Contrast-enhanced abdominal CT, axial slice 45 of 105 (counted from the lowest slice); tube voltage 120 kVp, convolution kernel B; slices 3.00 mm thick, 0.977 mm per pixel.
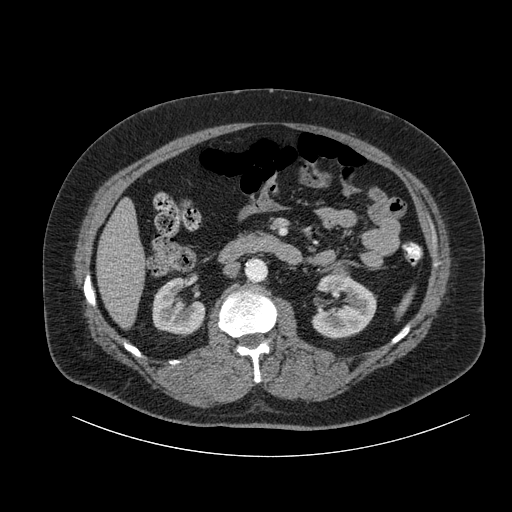
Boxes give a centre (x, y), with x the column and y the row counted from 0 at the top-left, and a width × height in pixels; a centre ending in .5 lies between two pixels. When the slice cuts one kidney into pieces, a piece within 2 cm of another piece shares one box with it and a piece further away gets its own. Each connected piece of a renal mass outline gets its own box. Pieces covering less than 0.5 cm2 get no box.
Two kidney boxes and one renal mass box on this slice; by box centre, from the image's left to its right: (1) Right kidney, box centre (178.5, 306.5), 54 × 60 pixels (outlined area 2,228 px, about 21.2 cm2). (2) Left renal mass in a box with centre (340.5, 274), 20 × 25 pixels (outlined area 384 px, about 3.7 cm2). (3) Left kidney in a box with centre (343, 306), 67 × 67 pixels (outlined area 2,949 px, about 28.1 cm2).